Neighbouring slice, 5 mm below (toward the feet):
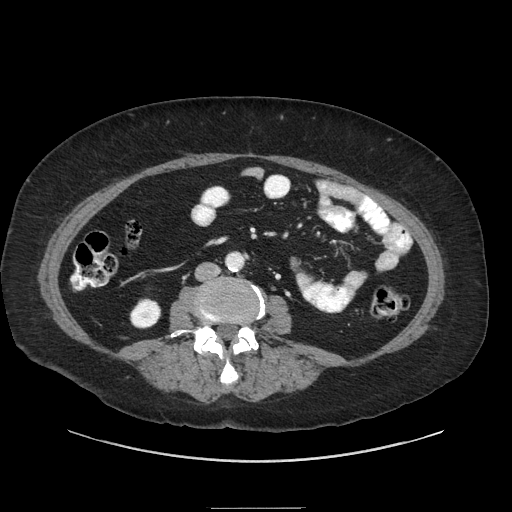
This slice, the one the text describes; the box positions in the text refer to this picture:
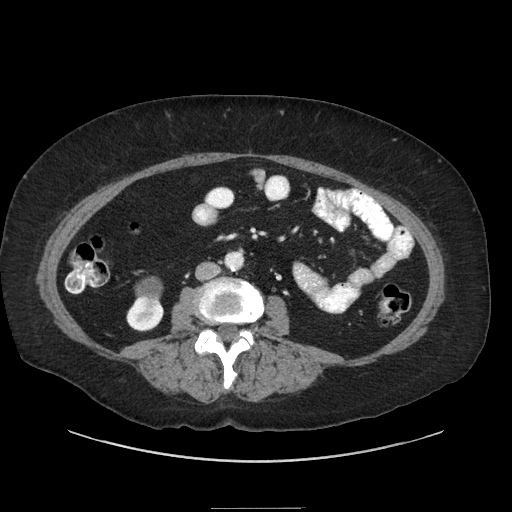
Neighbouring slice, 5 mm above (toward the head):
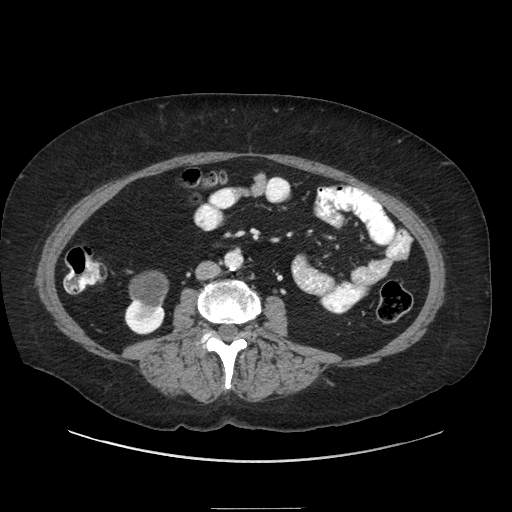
One axial slice (103 of 186, counting up from the lowest) of a contrast-enhanced abdominal CT acquired with 120 kVp, kernel STANDARD; each pixel is 0.850 mm and the slice is 2.50 mm thick.
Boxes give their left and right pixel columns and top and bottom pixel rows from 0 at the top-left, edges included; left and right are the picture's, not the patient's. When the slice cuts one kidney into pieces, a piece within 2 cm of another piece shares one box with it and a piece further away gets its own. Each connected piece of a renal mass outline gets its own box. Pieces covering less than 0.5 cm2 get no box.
Two boxes on this slice (one kidney box and one renal mass box), listed by box centre from the image's left to its right. (1) Right kidney, the box with left 126, top 297, right 163, bottom 331 (outlined area 831 px, about 6.0 cm2). (2) Box with left 135, top 276, right 163, bottom 309: right renal mass (outlined area 711 px, about 5.1 cm2). This slice is near the end of the right renal mass toward the feet, so the slices 5 mm below and 5 mm above it are shown as well; the boxes refer to this slice only.